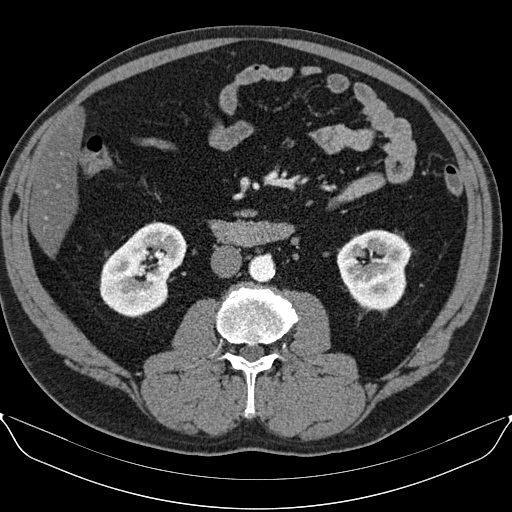
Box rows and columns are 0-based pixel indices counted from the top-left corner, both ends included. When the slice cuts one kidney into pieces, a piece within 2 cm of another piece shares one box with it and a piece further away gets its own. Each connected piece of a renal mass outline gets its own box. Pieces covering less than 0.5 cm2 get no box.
Slice 39/96 of a contrast-enhanced abdominal CT in the arterial phase, counting up from the lowest; pixel size 0.781 mm, slice thickness 3.00 mm. Boxed on this slice (two kidney boxes), listed by box centre from the image's left to its right: (1) Right kidney, box rows 222–317, columns 100–186 (outlined area 5,603 px, about 34.2 cm2). (2) Left kidney, box rows 229–309, columns 337–410 (outlined area 4,535 px, about 27.7 cm2). No renal mass is outlined on this slice.
Acquired at 130 kVp and reconstructed with the B30s kernel.